Abdominal CT with intravenous contrast, axial plane, 120 kVp, kernel B31f. Slice 65/103 from the bottom of the scan; thickness 5.00 mm; pixel size 0.801 mm.
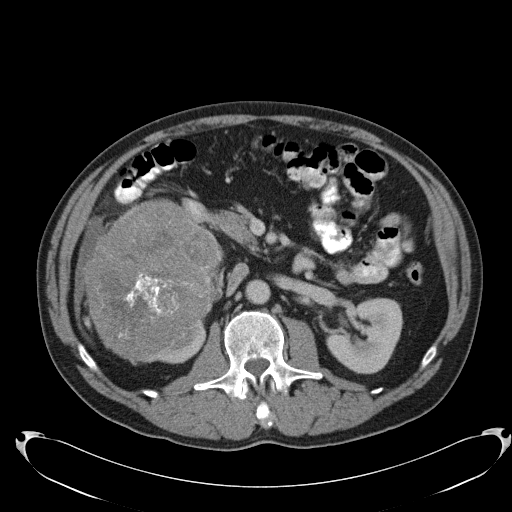
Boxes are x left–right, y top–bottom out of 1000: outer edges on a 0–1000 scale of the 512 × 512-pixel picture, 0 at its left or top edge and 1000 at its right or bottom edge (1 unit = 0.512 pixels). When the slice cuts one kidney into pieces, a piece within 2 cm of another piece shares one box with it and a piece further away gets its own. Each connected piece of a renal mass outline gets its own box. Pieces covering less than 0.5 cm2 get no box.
Boxed on this slice (two kidney boxes and one renal mass box), listed by box centre from the image's left to its right: (1) Right renal mass, box x 156–439, y 387–715 out of 1000 (outlined area 17,495 px, about 112.2 cm2). (2) Right kidney at x 291–404, y 643–711 out of 1000 (outlined area 617 px, about 4.0 cm2). (3) Left kidney at x 635–789, y 580–732 out of 1000 (outlined area 4,237 px, about 27.2 cm2).